Abdominal CT with intravenous contrast, arterial phase, axial plane, 120 kVp, kernel B20f. Slice 376/719 from the bottom of the scan; thickness 1.00 mm; pixel size 0.766 mm.
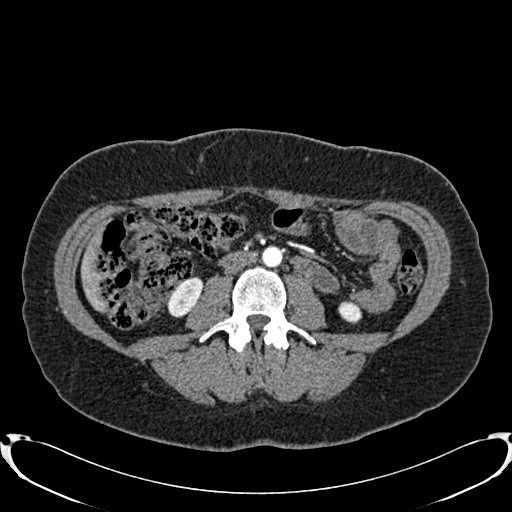
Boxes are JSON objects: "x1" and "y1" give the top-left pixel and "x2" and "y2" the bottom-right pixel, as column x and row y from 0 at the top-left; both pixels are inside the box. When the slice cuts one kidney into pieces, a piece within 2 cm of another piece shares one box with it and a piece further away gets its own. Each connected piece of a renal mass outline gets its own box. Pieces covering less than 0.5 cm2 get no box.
Boxed on this slice (two kidney boxes), listed by box centre from the image's left to its right: (1) Right kidney at {"x1": 165, "y1": 277, "x2": 202, "y2": 317} (outlined area 984 px, about 5.8 cm2). (2) Left kidney, box {"x1": 338, "y1": 301, "x2": 361, "y2": 323} (outlined area 416 px, about 2.4 cm2). No renal mass is outlined on this slice.